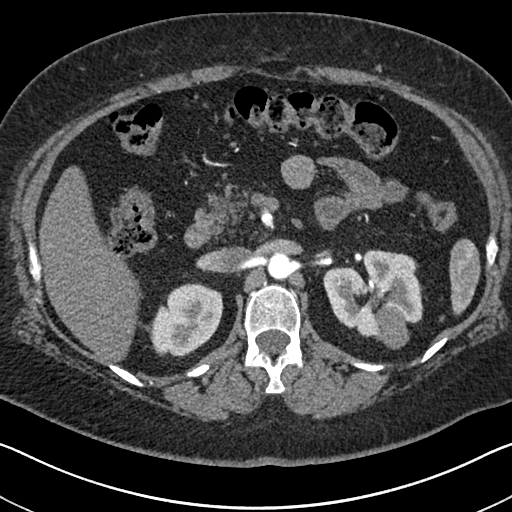
One axial slice (443 of 591, counting up from the lowest) of an arterial-phase abdominal CT acquired with 140 kVp, kernel I30f; each pixel is 0.703 mm and the slice is 1.00 mm thick.
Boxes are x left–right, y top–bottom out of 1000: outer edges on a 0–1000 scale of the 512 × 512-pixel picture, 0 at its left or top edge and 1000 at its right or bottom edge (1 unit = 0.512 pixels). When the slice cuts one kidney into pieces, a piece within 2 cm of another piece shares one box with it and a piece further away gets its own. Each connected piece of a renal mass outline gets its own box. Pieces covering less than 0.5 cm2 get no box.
Two kidney boxes and one renal mass box on this slice; by box centre, from the image's left to its right: (1) Right kidney, box x 283–438, y 553–699 out of 1000 (outlined area 4,049 px, about 20.0 cm2). (2) Left kidney at x 633–828, y 486–666 out of 1000 (outlined area 5,816 px, about 28.8 cm2). (3) Left renal mass, box x 734–801, y 596–684 out of 1000 (outlined area 1,092 px, about 5.4 cm2).